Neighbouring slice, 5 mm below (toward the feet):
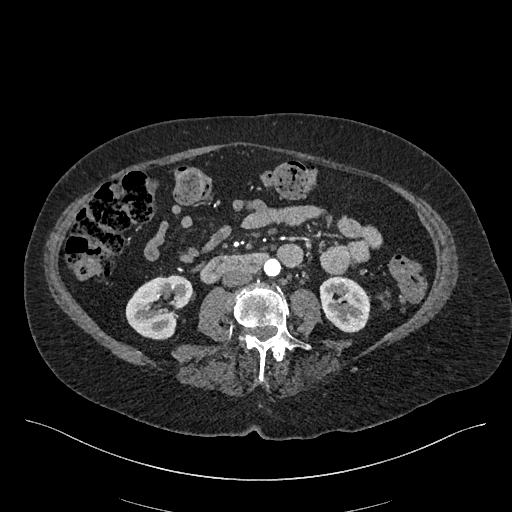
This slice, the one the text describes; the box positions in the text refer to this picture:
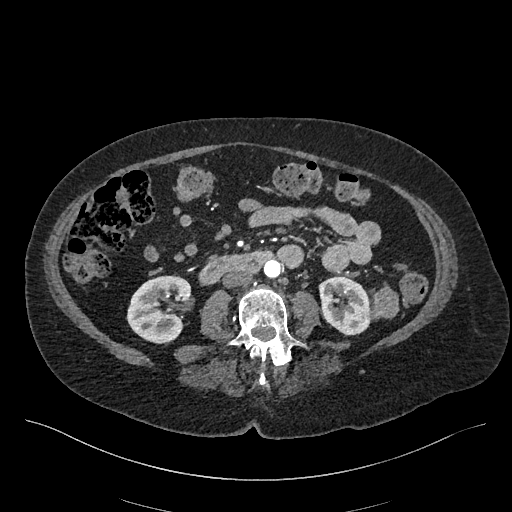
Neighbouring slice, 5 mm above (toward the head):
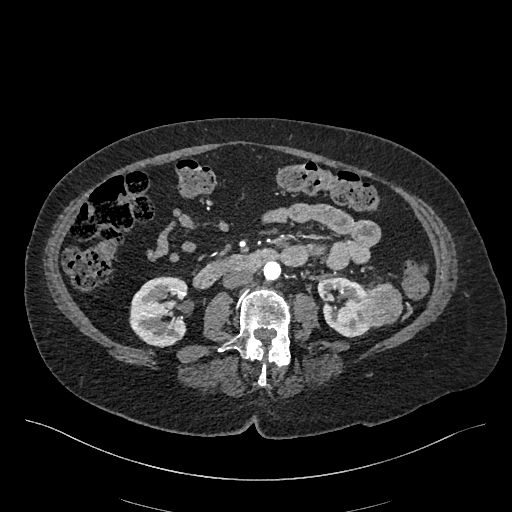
Axial slice 202 of 548 of a contrast-enhanced abdominal CT in the arterial phase (slice 1 is the lowest), 120 kVp, kernel I26f; 1.00 mm slice thickness and 0.852 mm pixels.
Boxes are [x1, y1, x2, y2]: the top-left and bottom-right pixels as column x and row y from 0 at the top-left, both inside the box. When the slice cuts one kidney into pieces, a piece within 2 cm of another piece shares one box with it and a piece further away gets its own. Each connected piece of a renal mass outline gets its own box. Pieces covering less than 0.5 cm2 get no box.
Boxed on this slice (two kidney boxes and one renal mass box), listed by box centre from the image's left to its right: (1) Right kidney at [126, 275, 190, 344] (outlined area 3,327 px, about 24.1 cm2). (2) Left kidney, box [318, 275, 372, 335] (outlined area 2,459 px, about 17.8 cm2). (3) Left renal mass, box [373, 282, 399, 318] (outlined area 663 px, about 4.8 cm2). This slice is near the end of the left renal mass toward the feet, so the slices 5 mm below and 5 mm above it are shown as well; the boxes refer to this slice only.